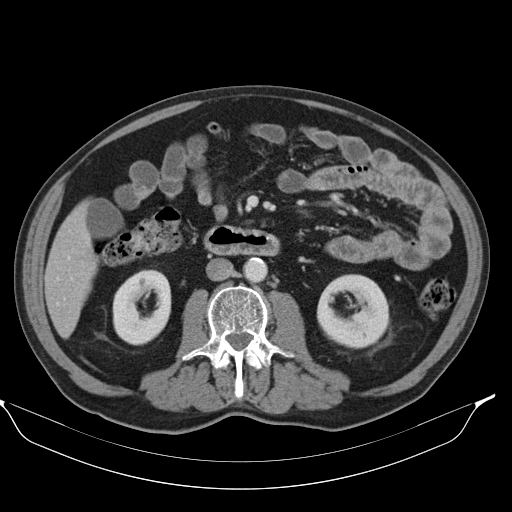
Abdominal CT with intravenous contrast, axial plane, 130 kVp, kernel B30s. Slice 52/98 from the bottom of the scan; thickness 5.00 mm; pixel size 0.840 mm.
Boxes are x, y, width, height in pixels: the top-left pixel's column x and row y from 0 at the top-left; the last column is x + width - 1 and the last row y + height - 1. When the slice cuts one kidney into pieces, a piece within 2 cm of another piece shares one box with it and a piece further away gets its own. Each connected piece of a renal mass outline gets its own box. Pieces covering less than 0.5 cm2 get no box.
Two boxes on this slice (two kidney boxes), listed by box centre from the image's left to its right. (1) Right kidney, box x 112, y 269, width 60, height 77 (outlined area 3,436 px, about 24.2 cm2). (2) Left kidney, box x 316, y 274, width 74, height 76 (outlined area 4,112 px, about 29.0 cm2). This slice carries no renal mass outline.